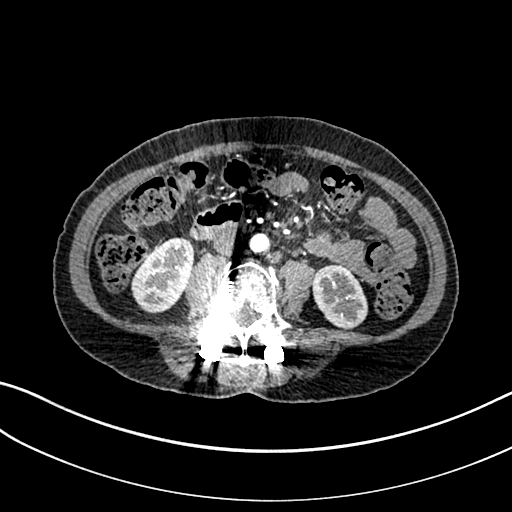
One axial slice (90 of 325, counting up from the lowest) of an arterial-phase abdominal CT acquired with 100 kVp, kernel I30f; each pixel is 0.703 mm and the slice is 1.00 mm thick.
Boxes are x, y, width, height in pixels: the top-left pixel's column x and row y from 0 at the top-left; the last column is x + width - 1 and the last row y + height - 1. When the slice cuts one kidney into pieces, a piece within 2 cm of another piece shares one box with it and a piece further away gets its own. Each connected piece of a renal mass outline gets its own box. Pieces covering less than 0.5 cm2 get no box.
Two kidney boxes on this slice; by box centre, from the image's left to its right: (1) Right kidney, box x 131, y 237, width 64, height 77 (outlined area 3,425 px, about 16.9 cm2). (2) Box x 312, y 264, width 56, height 66: left kidney (outlined area 2,731 px, about 13.5 cm2). This slice carries no renal mass outline.